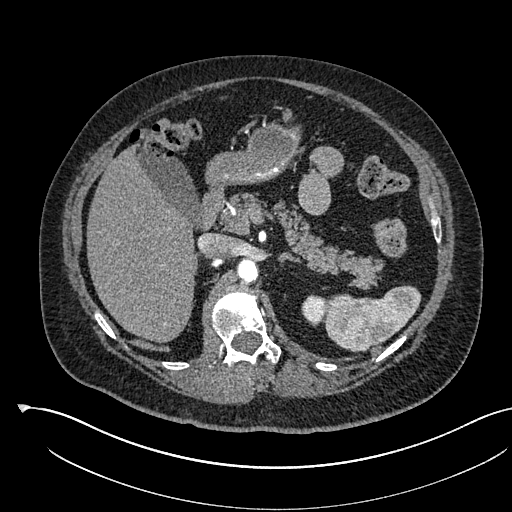
One axial slice (384 of 541, counting up from the lowest) of an arterial-phase abdominal CT acquired with 120 kVp, kernel I30f; each pixel is 0.834 mm and the slice is 1.00 mm thick.
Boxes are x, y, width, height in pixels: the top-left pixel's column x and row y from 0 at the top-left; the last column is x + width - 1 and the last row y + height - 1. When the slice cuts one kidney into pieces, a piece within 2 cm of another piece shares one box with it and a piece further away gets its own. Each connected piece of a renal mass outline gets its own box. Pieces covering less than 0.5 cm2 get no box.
Left kidney at x 301, y 294, width 26, height 33 (outlined area 608 px, about 4.2 cm2). This slice carries no renal mass outline.